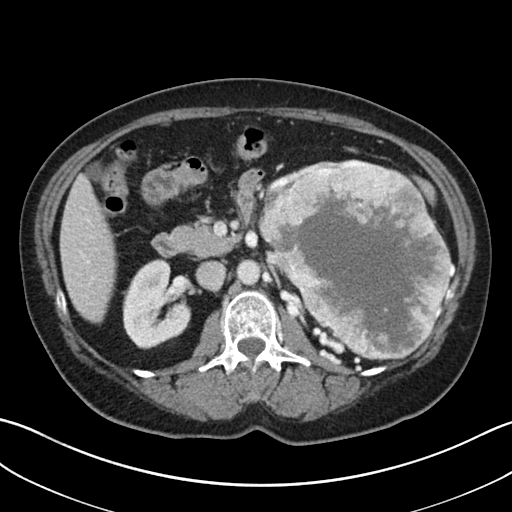
Contrast-enhanced abdominal CT, axial slice 19 of 38 (counted from the lowest slice); tube voltage 100 kVp, convolution kernel I30f; slices 5.00 mm thick, 0.730 mm per pixel.
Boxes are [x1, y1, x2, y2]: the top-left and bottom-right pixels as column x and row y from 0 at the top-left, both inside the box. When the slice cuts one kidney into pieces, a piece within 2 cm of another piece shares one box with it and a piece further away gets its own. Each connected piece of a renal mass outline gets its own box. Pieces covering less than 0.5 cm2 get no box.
Two boxes on this slice (one kidney box and one renal mass box), listed by box centre from the image's left to its right. (1) Right kidney, box [122, 258, 191, 349] (outlined area 4,486 px, about 23.9 cm2). (2) Left renal mass at [258, 159, 455, 360] (outlined area 27,439 px, about 146.4 cm2); it sits over 1 cm from every kidney outline on this slice, but the same outlined renal mass comes within 1 cm of the kidney on another slice.